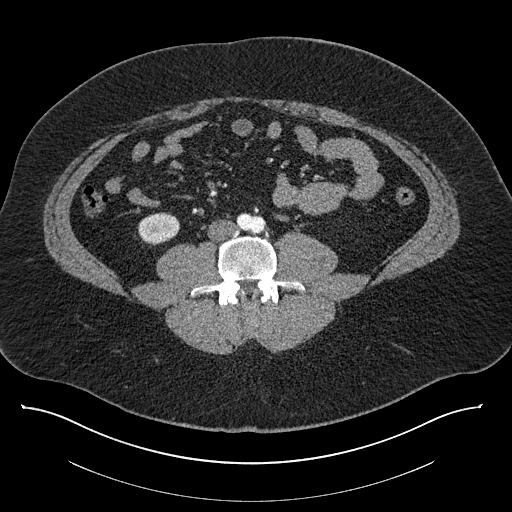
Axial slice 332 of 787 of a contrast-enhanced abdominal CT (slice 1 is the lowest), 140 kVp, kernel I30f; 1.00 mm slice thickness and 0.910 mm pixels.
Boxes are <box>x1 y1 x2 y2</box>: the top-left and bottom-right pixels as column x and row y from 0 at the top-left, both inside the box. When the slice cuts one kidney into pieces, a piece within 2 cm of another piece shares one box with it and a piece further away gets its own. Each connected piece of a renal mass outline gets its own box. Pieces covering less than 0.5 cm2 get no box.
Right kidney at <box>137 212 179 245</box> (outlined area 1,074 px, about 8.9 cm2). This slice carries no renal mass outline.